One axial slice (126 of 470, counting up from the lowest) of an arterial-phase abdominal CT acquired with 120 kVp, kernel I26f; each pixel is 0.938 mm and the slice is 1.00 mm thick.
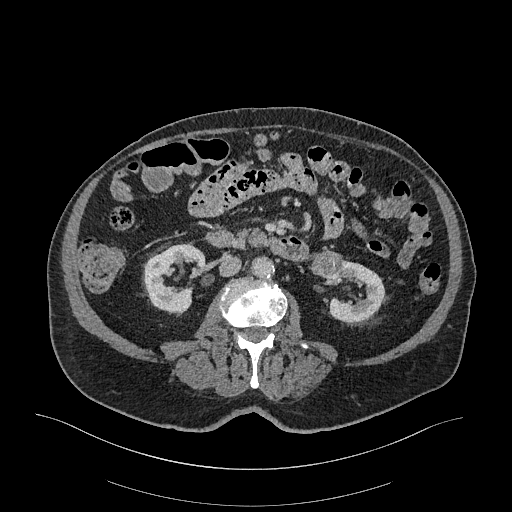
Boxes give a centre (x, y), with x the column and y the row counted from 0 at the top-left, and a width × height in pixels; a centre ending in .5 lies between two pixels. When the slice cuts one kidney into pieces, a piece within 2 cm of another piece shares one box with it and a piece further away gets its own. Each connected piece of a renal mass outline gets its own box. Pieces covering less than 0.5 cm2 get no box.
Two kidney boxes and one renal mass box on this slice; by box centre, from the image's left to its right: (1) Right kidney, box centre (174, 278.5), 65 × 72 pixels (outlined area 2,959 px, about 26.0 cm2). (2) Box centre (325.5, 266), 34 × 33 pixels: left renal mass (outlined area 802 px, about 7.0 cm2). (3) Left kidney in a box with centre (351, 289.5), 71 × 66 pixels (outlined area 2,421 px, about 21.3 cm2).